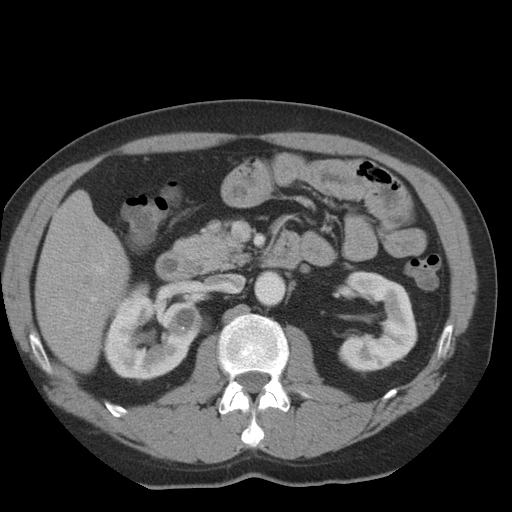
One axial slice (16 of 36, counting up from the lowest) of an arterial-phase abdominal CT acquired with 140 kVp, kernel STANDARD; each pixel is 0.703 mm and the slice is 5.00 mm thick.
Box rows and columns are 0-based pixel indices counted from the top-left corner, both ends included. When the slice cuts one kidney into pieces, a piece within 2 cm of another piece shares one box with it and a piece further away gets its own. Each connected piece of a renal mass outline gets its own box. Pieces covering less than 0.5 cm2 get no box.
Two boxes on this slice (two kidney boxes), listed by box centre from the image's left to its right. (1) Right kidney, box rows 281–379, columns 104–209 (outlined area 6,870 px, about 34.0 cm2). (2) Left kidney at rows 270–372, columns 337–417 (outlined area 5,545 px, about 27.4 cm2). No renal mass outline on this slice.